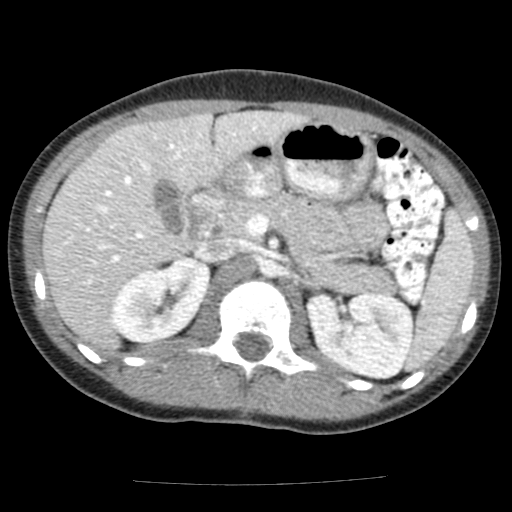
One axial slice (88 of 117, counting up from the lowest) of an arterial-phase abdominal CT acquired with 120 kVp, kernel FC12; each pixel is 0.518 mm and the slice is 3.00 mm thick.
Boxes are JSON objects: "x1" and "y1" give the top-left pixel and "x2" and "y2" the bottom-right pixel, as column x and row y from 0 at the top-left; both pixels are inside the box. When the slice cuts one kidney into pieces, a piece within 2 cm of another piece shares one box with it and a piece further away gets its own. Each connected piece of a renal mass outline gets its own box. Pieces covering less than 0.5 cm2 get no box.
Boxed on this slice (two kidney boxes), listed by box centre from the image's left to its right: (1) Right kidney at {"x1": 110, "y1": 256, "x2": 211, "y2": 342} (outlined area 6,130 px, about 16.4 cm2). (2) Left kidney, box {"x1": 306, "y1": 291, "x2": 413, "y2": 379} (outlined area 7,640 px, about 20.5 cm2). No renal mass outline on this slice.